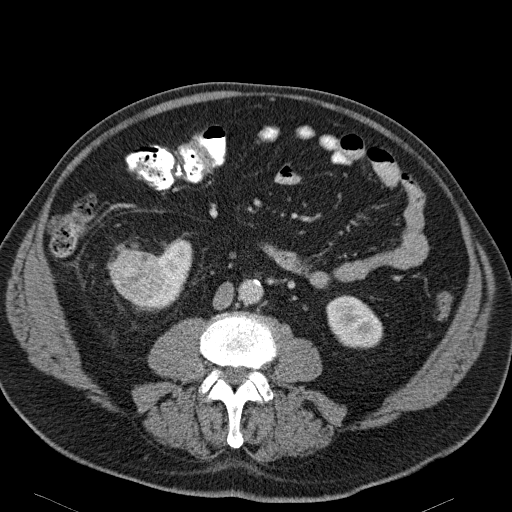
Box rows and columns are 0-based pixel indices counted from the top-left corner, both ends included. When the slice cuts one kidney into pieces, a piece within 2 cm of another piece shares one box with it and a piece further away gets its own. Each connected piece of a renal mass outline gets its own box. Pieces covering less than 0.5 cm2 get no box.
This is axial slice 69 of 114 (slice 1 is the lowest) of an arterial-phase abdominal CT with contrast; each pixel is 0.781 mm and the slice is 5.00 mm thick. Three boxes on this slice (two kidney boxes and one renal mass box), listed by box centre from the image's left to its right. (1) Right renal mass at rows 249–308, columns 109–171 (outlined area 2,715 px, about 16.6 cm2). (2) Box rows 238–309, columns 147–192: right kidney (outlined area 1,412 px, about 8.6 cm2). (3) Box rows 295–348, columns 326–383: left kidney (outlined area 2,302 px, about 14.1 cm2).
Scan settings: 120 kVp, B31f reconstruction kernel.